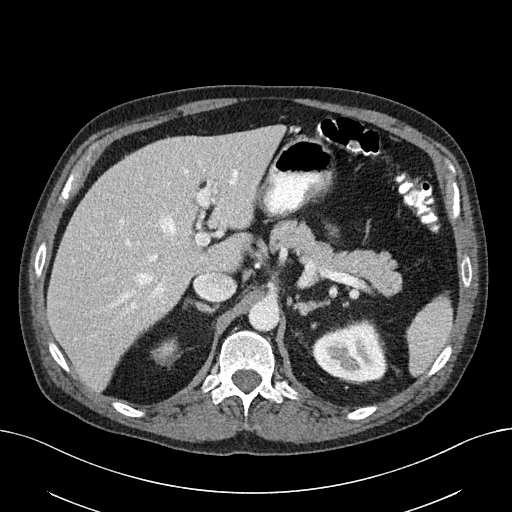
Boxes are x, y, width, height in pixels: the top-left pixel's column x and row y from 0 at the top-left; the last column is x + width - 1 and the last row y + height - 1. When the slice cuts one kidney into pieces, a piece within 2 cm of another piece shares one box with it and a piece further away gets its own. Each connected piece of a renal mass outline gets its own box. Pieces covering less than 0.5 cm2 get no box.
This is axial slice 129 of 163 (slice 1 is the lowest) of an abdominal CT with contrast; each pixel is 0.799 mm and the slice is 3.00 mm thick. Two boxes on this slice (two kidney boxes), listed by box centre from the image's left to its right. (1) Right kidney, box x 152, y 340, width 25, height 24 (outlined area 423 px, about 2.7 cm2). (2) Box x 312, y 320, width 75, height 64: left kidney (outlined area 3,481 px, about 22.2 cm2). No renal mass is outlined on this slice.
Scan settings: 100 kVp, I40f reconstruction kernel.